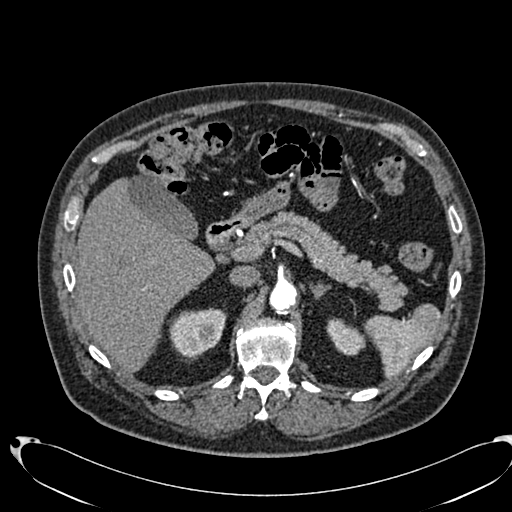
One axial slice (485 of 553, counting up from the lowest) of an arterial-phase abdominal CT acquired with 120 kVp, kernel B20f; each pixel is 0.773 mm and the slice is 1.00 mm thick.
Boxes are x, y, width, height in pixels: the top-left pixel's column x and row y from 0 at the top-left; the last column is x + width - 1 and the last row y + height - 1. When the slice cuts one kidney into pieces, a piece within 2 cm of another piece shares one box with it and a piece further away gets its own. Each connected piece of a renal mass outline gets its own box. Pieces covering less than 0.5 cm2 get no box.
Boxed on this slice (two kidney boxes), listed by box centre from the image's left to its right: (1) Right kidney at x 169, y 308, width 58, height 55 (outlined area 2,186 px, about 13.1 cm2). (2) Left kidney, box x 326, y 318, width 40, height 38 (outlined area 1,003 px, about 6.0 cm2). No renal mass is outlined on this slice.